Abdominal CT with intravenous contrast, arterial phase, axial plane, 120 kVp, kernel FC14. Slice 58/101 from the bottom of the scan; thickness 5.00 mm; pixel size 0.755 mm.
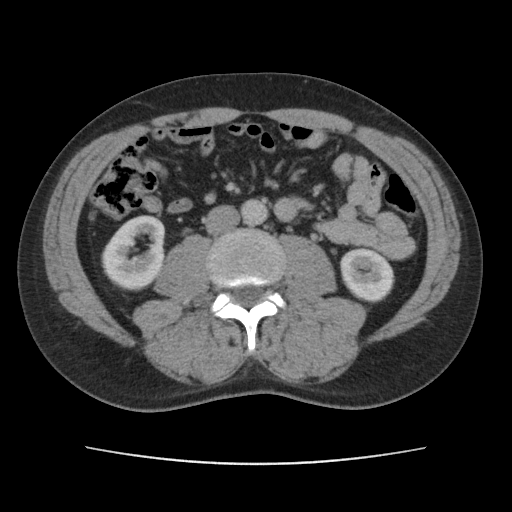
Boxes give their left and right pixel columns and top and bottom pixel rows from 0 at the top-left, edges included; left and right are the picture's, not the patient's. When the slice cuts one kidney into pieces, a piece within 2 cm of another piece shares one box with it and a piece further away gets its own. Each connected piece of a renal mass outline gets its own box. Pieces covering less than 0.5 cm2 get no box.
Two kidney boxes on this slice; by box centre, from the image's left to its right: (1) Box with left 101, top 215, right 166, bottom 291: right kidney (outlined area 3,629 px, about 20.7 cm2). (2) Box with left 339, top 247, right 394, bottom 303: left kidney (outlined area 2,333 px, about 13.3 cm2). This slice carries no renal mass outline.